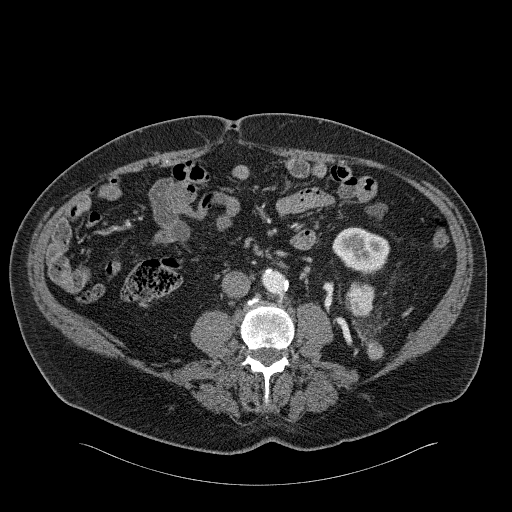
Axial slice 68 of 326 of a contrast-enhanced abdominal CT in the arterial phase (slice 1 is the lowest), 120 kVp, kernel B31f; 2.00 mm slice thickness and 0.963 mm pixels.
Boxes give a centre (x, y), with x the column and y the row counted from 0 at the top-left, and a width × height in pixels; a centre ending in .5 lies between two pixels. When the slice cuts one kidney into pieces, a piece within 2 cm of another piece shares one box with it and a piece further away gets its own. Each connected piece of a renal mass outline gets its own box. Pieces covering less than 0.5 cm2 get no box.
One kidney box and two renal mass boxes on this slice; by box centre, from the image's left to its right: (1) Left renal mass, box centre (359.5, 299), 30 × 33 pixels (outlined area 814 px, about 7.5 cm2); on this slice it lies more than 1 cm from any kidney outline, but the same outlined renal mass comes within 1 cm of the kidney on another slice. (2) Left kidney, box centre (360.5, 250), 58 × 47 pixels (outlined area 1,989 px, about 18.4 cm2). (3) Box centre (375, 350.5), 17 × 18 pixels: left renal mass (outlined area 245 px, about 2.3 cm2); here it is more than 1 cm from any kidney outline, though on another slice the same outlined renal mass lies within 1 cm of the kidney.